Axial slice 131 of 206 of a contrast-enhanced abdominal CT (slice 1 is the lowest), 120 kVp, kernel STANDARD; 2.50 mm slice thickness and 0.879 mm pixels.
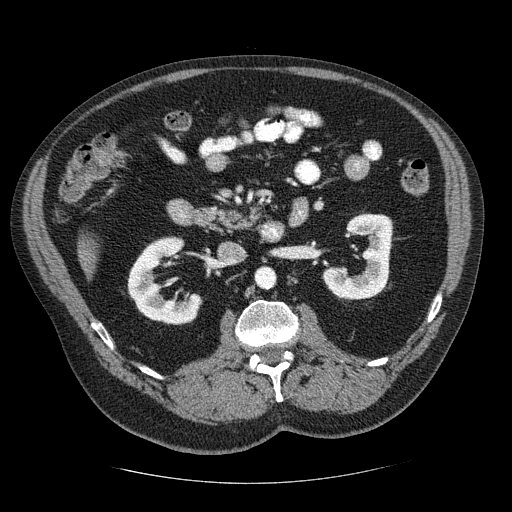
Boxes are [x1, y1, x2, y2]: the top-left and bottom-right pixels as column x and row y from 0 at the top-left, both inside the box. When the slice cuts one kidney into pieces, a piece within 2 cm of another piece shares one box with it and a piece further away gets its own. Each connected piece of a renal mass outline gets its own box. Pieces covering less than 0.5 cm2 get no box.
Two boxes on this slice (two kidney boxes), listed by box centre from the image's left to its right. (1) Right kidney at [127, 236, 203, 325] (outlined area 3,999 px, about 30.9 cm2). (2) Left kidney, box [322, 212, 393, 301] (outlined area 3,794 px, about 29.3 cm2). No renal mass is outlined on this slice.